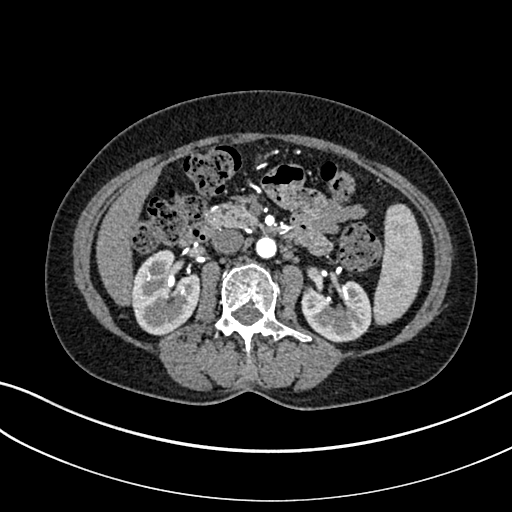
One axial slice (158 of 325, counting up from the lowest) of an arterial-phase abdominal CT acquired with 100 kVp, kernel I30f; each pixel is 0.703 mm and the slice is 1.00 mm thick.
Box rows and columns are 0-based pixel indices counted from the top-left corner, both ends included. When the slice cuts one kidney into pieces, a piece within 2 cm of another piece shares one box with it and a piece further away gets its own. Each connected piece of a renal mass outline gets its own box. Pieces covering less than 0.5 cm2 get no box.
Two boxes on this slice (two kidney boxes), listed by box centre from the image's left to its right. (1) Right kidney, box rows 249–335, columns 131–200 (outlined area 4,398 px, about 21.7 cm2). (2) Left kidney at rows 280–342, columns 301–372 (outlined area 3,334 px, about 16.5 cm2). This slice carries no renal mass outline.